Axial slice 21 of 301 of a contrast-enhanced abdominal CT (slice 1 is the lowest), 120 kVp, kernel I40f; 2.00 mm slice thickness and 0.859 mm pixels.
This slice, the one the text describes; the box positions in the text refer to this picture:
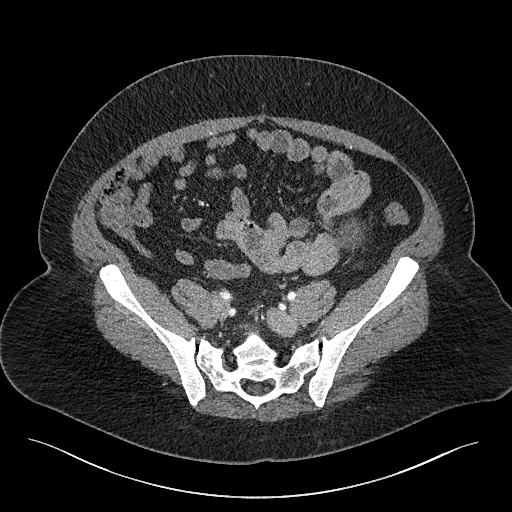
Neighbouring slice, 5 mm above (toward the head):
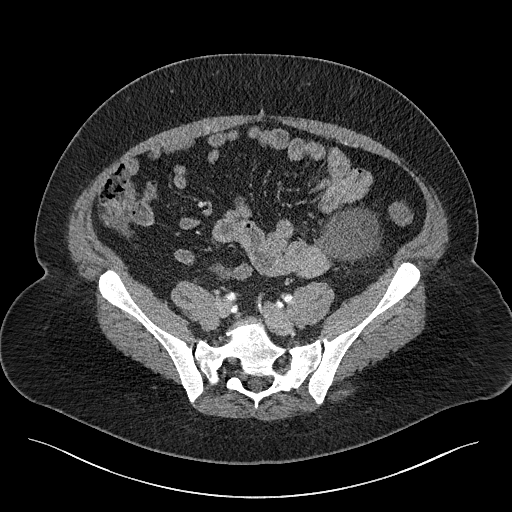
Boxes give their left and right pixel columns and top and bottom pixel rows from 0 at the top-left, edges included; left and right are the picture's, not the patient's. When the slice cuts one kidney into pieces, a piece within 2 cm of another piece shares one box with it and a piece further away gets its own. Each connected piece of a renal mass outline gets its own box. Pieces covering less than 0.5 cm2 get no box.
Left renal mass, the box with left 333, top 218, right 364, bottom 252 (outlined area 701 px, about 5.2 cm2); this slice has no kidney outline, though on another slice the same outlined renal mass lies within 1 cm of the kidney. This slice lies near the end of the left renal mass toward the feet; the slice 5 mm above it is shown too, and the boxes mark positions on this slice only.